Arterial-phase contrast-enhanced abdominal CT, axial slice 220 of 470 (counted from the lowest slice); tube voltage 120 kVp, convolution kernel I26f; slices 1.00 mm thick, 0.938 mm per pixel.
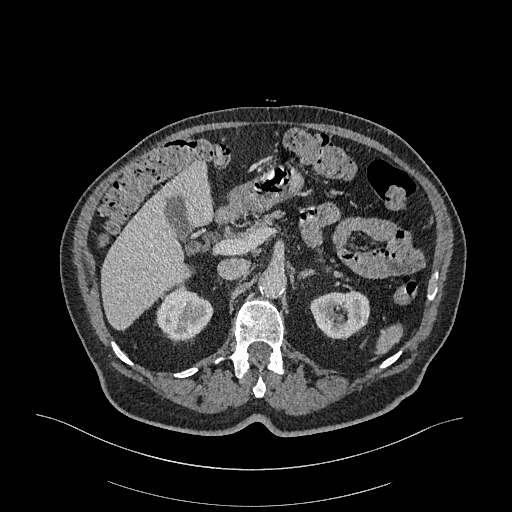
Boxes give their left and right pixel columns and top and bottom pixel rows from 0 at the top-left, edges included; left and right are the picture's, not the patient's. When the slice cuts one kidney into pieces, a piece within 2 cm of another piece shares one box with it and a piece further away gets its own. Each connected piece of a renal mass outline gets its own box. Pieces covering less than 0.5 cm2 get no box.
Two boxes on this slice (two kidney boxes), listed by box centre from the image's left to its right. (1) Right kidney, the box with left 156, top 290, right 213, bottom 340 (outlined area 2,189 px, about 19.2 cm2). (2) Left kidney in the box with left 309, top 290, right 370, bottom 339 (outlined area 2,293 px, about 20.2 cm2). No renal mass outline on this slice.